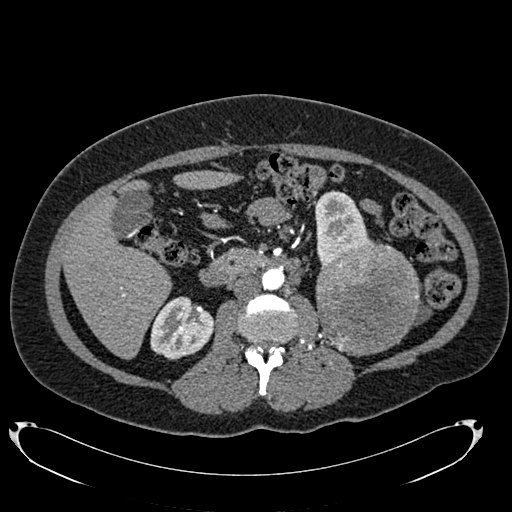
One axial slice (400 of 634, counting up from the lowest) of an arterial-phase abdominal CT acquired with 120 kVp, kernel B20f; each pixel is 0.838 mm and the slice is 1.00 mm thick.
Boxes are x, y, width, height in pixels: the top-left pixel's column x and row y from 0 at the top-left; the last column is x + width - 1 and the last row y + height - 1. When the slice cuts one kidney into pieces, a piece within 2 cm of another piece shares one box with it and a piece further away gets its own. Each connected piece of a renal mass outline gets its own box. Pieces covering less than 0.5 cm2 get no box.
Three boxes on this slice (two kidney boxes and one renal mass box), listed by box centre from the image's left to its right. (1) Box x 150, y 296, width 64, height 64: right kidney (outlined area 2,987 px, about 21.0 cm2). (2) Box x 315, y 190, width 59, height 76: left kidney (outlined area 2,746 px, about 19.3 cm2). (3) Box x 315, y 242, width 106, height 115: left renal mass (outlined area 9,507 px, about 66.7 cm2).